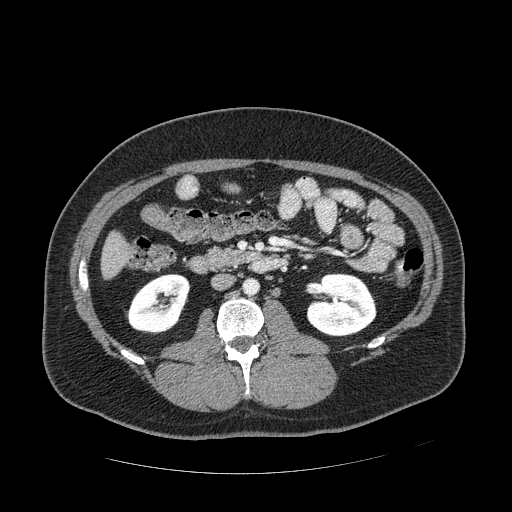
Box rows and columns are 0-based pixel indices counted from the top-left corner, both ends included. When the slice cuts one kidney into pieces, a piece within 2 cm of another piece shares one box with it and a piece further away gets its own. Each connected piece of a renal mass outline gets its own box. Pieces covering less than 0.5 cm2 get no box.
Slice 244/389 of a contrast-enhanced abdominal CT in the arterial phase, counting up from the lowest; pixel size 0.869 mm, slice thickness 1.25 mm. Two boxes on this slice (two kidney boxes), listed by box centre from the image's left to its right. (1) Box rows 273–334, columns 126–190: right kidney (outlined area 2,810 px, about 21.2 cm2). (2) Left kidney at rows 273–336, columns 306–376 (outlined area 3,483 px, about 26.3 cm2). This slice carries no renal mass outline.
Tube voltage 120 kVp; convolution kernel STANDARD.